Arterial-phase contrast-enhanced abdominal CT, axial slice 177 of 470 (counted from the lowest slice); tube voltage 120 kVp, convolution kernel I26f; slices 1.00 mm thick, 0.938 mm per pixel.
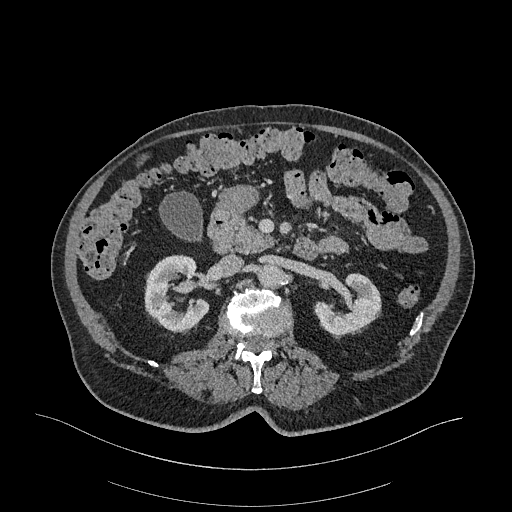
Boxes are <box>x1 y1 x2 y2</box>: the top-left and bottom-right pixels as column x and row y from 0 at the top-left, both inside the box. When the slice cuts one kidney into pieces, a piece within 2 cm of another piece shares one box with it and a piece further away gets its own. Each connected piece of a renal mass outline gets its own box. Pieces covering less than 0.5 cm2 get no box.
Two kidney boxes on this slice; by box centre, from the image's left to its right: (1) Right kidney at <box>144 254 209 333</box> (outlined area 3,549 px, about 31.2 cm2). (2) Left kidney at <box>314 273 381 336</box> (outlined area 2,759 px, about 24.2 cm2). No renal mass outline on this slice.